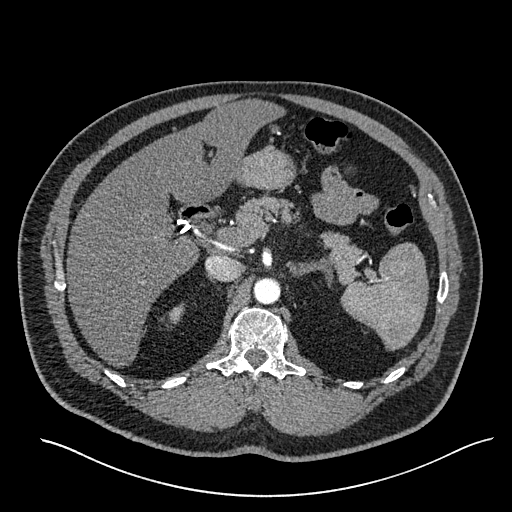
Arterial-phase contrast-enhanced abdominal CT, axial slice 410 of 527 (counted from the lowest slice); tube voltage 120 kVp, convolution kernel I30f; slices 1.00 mm thick, 0.859 mm per pixel.
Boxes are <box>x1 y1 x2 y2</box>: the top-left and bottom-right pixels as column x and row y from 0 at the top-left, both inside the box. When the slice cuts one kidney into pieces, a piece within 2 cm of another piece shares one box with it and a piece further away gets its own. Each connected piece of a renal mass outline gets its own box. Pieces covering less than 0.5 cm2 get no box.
At <box>169 303 184 324</box>: right kidney (outlined area 217 px, about 1.6 cm2). This slice carries no renal mass outline.